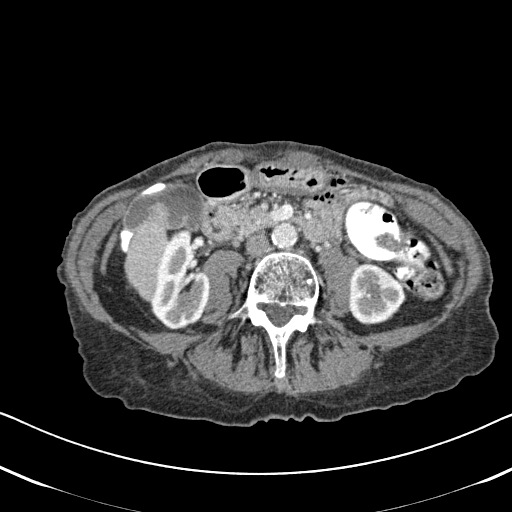
One axial slice (255 of 620, counting up from the lowest) of an arterial-phase abdominal CT acquired with 120 kVp, kernel B31f; each pixel is 0.637 mm and the slice is 2.00 mm thick.
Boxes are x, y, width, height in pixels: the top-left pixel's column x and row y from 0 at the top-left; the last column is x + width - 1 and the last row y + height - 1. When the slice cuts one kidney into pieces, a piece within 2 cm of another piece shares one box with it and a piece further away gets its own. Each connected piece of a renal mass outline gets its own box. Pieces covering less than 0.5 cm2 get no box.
Two boxes on this slice (two kidney boxes), listed by box centre from the image's left to its right. (1) Right kidney, box x 150, y 230, width 61, height 100 (outlined area 4,349 px, about 17.6 cm2). (2) Box x 347, y 263, width 60, height 63: left kidney (outlined area 2,789 px, about 11.3 cm2). This slice carries no renal mass outline.